Arterial-phase contrast-enhanced abdominal CT, axial slice 27 of 66 (counted from the lowest slice); tube voltage 120 kVp, convolution kernel B30f; slices 5.00 mm thick, 0.678 mm per pixel.
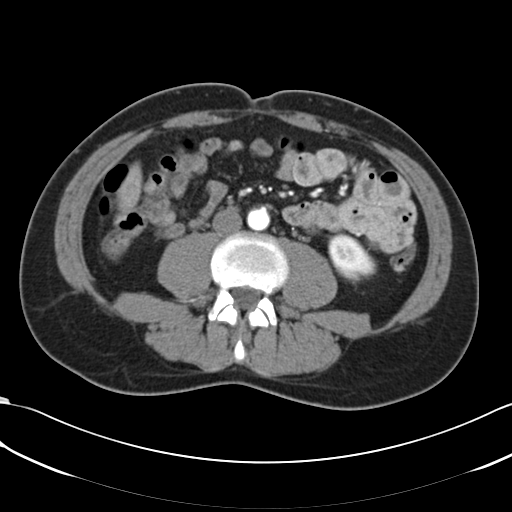
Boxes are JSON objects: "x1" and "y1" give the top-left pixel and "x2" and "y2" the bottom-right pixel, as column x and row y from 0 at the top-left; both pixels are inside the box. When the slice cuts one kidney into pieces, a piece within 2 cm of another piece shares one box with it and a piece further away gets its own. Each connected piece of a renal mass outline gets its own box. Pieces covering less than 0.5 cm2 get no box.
Left kidney, box {"x1": 328, "y1": 234, "x2": 376, "y2": 284} (outlined area 1,682 px, about 7.7 cm2). This slice carries no renal mass outline.